Abdominal CT with intravenous contrast, axial plane, 120 kVp, kernel B30f. Slice 35/80 from the bottom of the scan; thickness 3.00 mm; pixel size 0.822 mm.
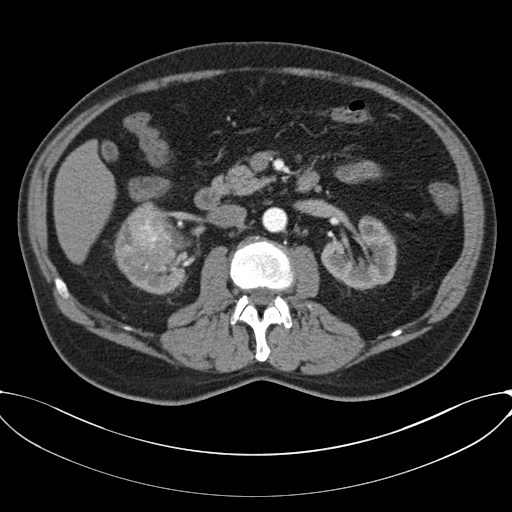
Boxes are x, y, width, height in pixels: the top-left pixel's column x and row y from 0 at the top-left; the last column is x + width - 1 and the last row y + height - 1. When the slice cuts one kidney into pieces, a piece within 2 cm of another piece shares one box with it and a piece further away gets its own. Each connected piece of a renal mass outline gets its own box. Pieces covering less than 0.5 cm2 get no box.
Boxed on this slice (two kidney boxes and one renal mass box), listed by box centre from the image's left to its right: (1) Right kidney, box x 114, y 221, width 73, height 73 (outlined area 2,024 px, about 13.7 cm2). (2) Right renal mass, box x 126, y 202, width 50, height 67 (outlined area 2,474 px, about 16.7 cm2). (3) Box x 321, y 216, width 76, height 75: left kidney (outlined area 3,803 px, about 25.7 cm2).